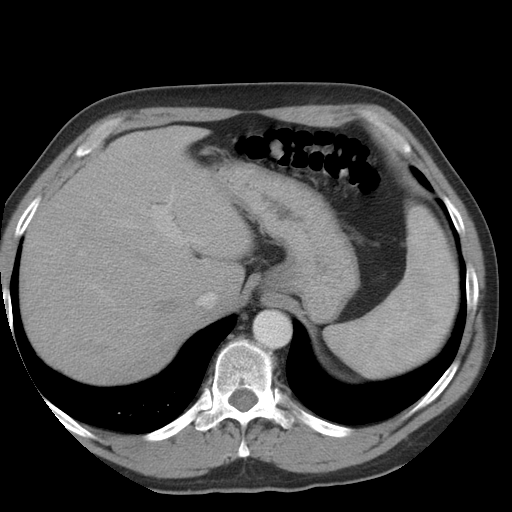
Axial slice 34 of 36 of a contrast-enhanced abdominal CT in the arterial phase (slice 1 is the lowest), 140 kVp, kernel STANDARD; 5.00 mm slice thickness and 0.703 mm pixels.
Neither a kidney nor a renal mass is outlined here. Only kidneys and renal masses are outlined anywhere in this scan; other structures are never outlined.